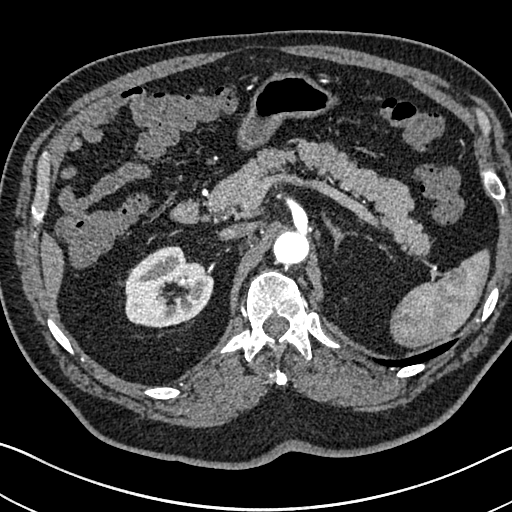
Abdominal CT with intravenous contrast, arterial phase, axial plane, 120 kVp, kernel I30f. Slice 493/705 from the bottom of the scan; thickness 1.00 mm; pixel size 0.703 mm.
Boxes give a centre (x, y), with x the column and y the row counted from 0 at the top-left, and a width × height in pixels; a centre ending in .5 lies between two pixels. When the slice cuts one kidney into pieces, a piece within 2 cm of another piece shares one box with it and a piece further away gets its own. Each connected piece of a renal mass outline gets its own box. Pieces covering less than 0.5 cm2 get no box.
Box centre (167.5, 287), 92 × 83 pixels: right kidney (outlined area 5,371 px, about 26.6 cm2). No renal mass is outlined on this slice.